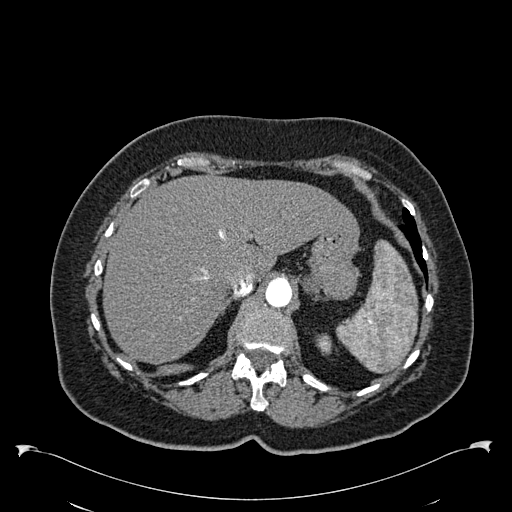
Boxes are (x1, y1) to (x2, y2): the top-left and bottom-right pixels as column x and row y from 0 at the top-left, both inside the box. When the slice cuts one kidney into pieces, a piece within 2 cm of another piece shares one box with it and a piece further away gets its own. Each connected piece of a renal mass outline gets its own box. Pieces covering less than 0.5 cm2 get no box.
Arterial-phase contrast-enhanced abdominal CT, axial slice 452 of 538 (counted from the lowest slice); 1.00 mm thick, 0.811 mm per pixel. Box (316, 334) to (331, 354): left kidney (outlined area 272 px, about 1.8 cm2). This slice carries no renal mass outline.
Tube voltage 120 kVp; convolution kernel B30f.